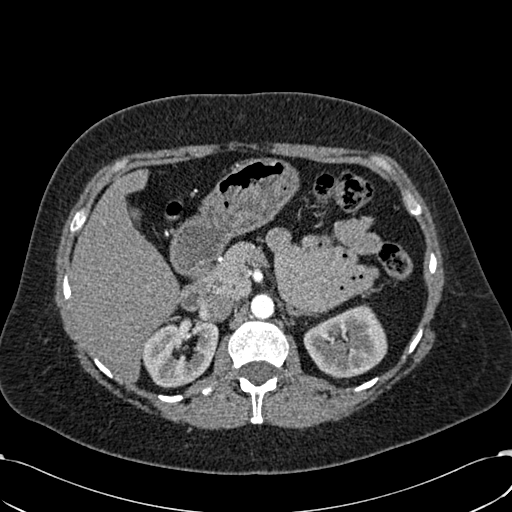
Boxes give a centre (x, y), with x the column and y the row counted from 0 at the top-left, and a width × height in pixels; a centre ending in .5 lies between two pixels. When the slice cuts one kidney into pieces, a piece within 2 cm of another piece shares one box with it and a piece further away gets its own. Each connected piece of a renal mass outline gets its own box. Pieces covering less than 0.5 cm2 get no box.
Arterial-phase contrast-enhanced abdominal CT, axial slice 407 of 532 (counted from the lowest slice); 1.00 mm thick, 0.713 mm per pixel. Boxed on this slice (two kidney boxes), listed by box centre from the image's left to its right: (1) Box centre (180, 354), 77 × 69 pixels: right kidney (outlined area 3,819 px, about 19.4 cm2). (2) Box centre (345, 341), 85 × 75 pixels: left kidney (outlined area 4,412 px, about 22.4 cm2). No renal mass is outlined on this slice.
Acquired at 120 kVp and reconstructed with the B30f kernel.